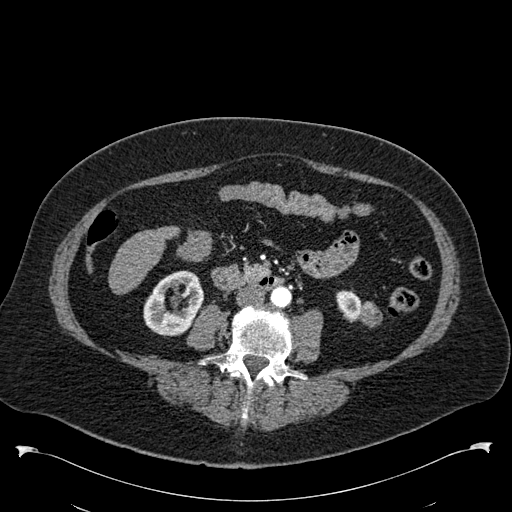
Arterial-phase contrast-enhanced abdominal CT, axial slice 237 of 538 (counted from the lowest slice); tube voltage 120 kVp, convolution kernel B30f; slices 1.00 mm thick, 0.811 mm per pixel.
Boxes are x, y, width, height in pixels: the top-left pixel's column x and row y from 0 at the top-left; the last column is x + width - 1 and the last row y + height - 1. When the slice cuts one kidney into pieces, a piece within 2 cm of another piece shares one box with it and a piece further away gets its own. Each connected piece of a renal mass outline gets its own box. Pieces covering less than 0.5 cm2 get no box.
Three boxes on this slice (two kidney boxes and one renal mass box), listed by box centre from the image's left to its right. (1) Box x 143, y 270, width 61, height 67: right kidney (outlined area 2,762 px, about 18.1 cm2). (2) Left kidney at x 336, y 290, width 26, height 33 (outlined area 630 px, about 4.1 cm2). (3) Left renal mass at x 359, y 301, width 24, height 27 (outlined area 453 px, about 3.0 cm2).